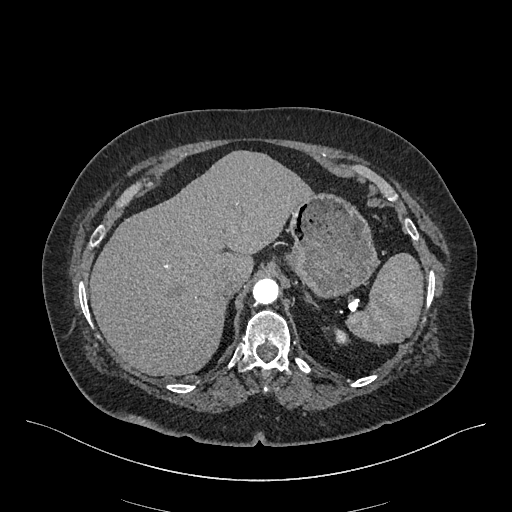
Axial slice 375 of 548 of a contrast-enhanced abdominal CT in the arterial phase (slice 1 is the lowest), 120 kVp, kernel I26f; 1.00 mm slice thickness and 0.852 mm pixels.
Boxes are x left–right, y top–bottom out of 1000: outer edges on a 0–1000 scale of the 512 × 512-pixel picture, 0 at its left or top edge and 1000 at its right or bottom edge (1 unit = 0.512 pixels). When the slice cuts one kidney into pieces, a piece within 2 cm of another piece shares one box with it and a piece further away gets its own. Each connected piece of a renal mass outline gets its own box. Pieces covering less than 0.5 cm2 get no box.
Box x 654–680, y 645–672 out of 1000: left kidney (outlined area 141 px, about 1.0 cm2). No renal mass is outlined on this slice.